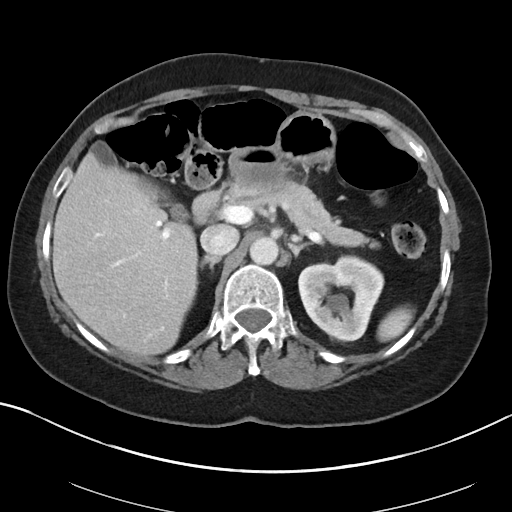
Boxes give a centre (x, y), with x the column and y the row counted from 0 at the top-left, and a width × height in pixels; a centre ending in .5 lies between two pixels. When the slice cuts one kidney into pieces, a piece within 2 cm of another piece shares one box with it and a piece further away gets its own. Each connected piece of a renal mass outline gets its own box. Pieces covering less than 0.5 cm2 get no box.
This is axial slice 65 of 88 (slice 1 is the lowest) of an arterial-phase abdominal CT with contrast; each pixel is 0.705 mm and the slice is 5.00 mm thick. Left kidney, box centre (341, 298), 87 × 89 pixels (outlined area 5,355 px, about 26.6 cm2). No renal mass is outlined on this slice.
Acquired at 100 kVp and reconstructed with the I40f kernel.